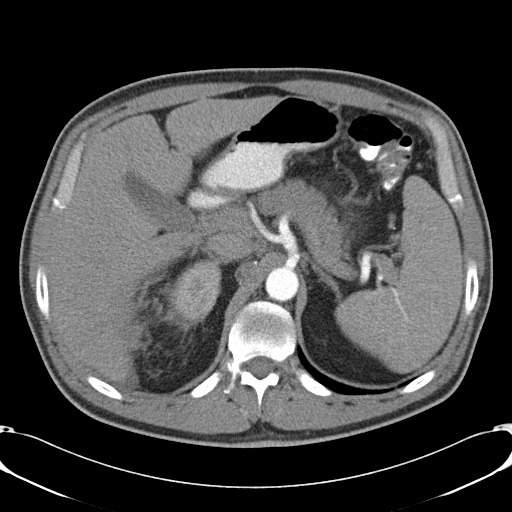
Abdominal CT with intravenous contrast, axial plane, 120 kVp, kernel B31f. Slice 36/57 from the bottom of the scan; thickness 5.00 mm; pixel size 0.732 mm.
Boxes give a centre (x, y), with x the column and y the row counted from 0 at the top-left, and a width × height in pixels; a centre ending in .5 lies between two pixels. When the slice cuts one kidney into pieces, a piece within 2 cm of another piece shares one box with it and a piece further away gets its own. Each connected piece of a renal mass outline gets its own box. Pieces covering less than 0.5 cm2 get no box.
Right kidney, box centre (195.5, 289), 52 × 61 pixels (outlined area 2,365 px, about 12.7 cm2). No renal mass is outlined on this slice.